One axial slice (396 of 673, counting up from the lowest) of an arterial-phase abdominal CT acquired with 140 kVp, kernel I30f; each pixel is 0.957 mm and the slice is 1.00 mm thick.
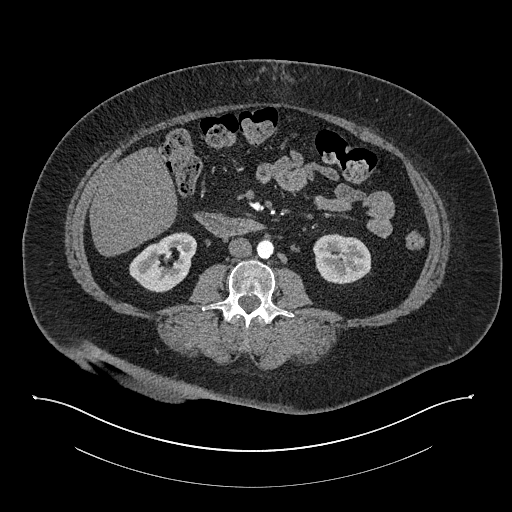
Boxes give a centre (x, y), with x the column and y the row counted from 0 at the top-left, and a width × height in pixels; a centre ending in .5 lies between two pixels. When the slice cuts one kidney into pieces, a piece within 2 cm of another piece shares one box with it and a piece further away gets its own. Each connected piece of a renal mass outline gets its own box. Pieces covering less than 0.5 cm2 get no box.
Two kidney boxes on this slice; by box centre, from the image's left to its right: (1) Right kidney, box centre (162.5, 262), 68 × 61 pixels (outlined area 2,723 px, about 24.9 cm2). (2) Box centre (342, 258.5), 59 × 52 pixels: left kidney (outlined area 2,358 px, about 21.6 cm2). This slice carries no renal mass outline.